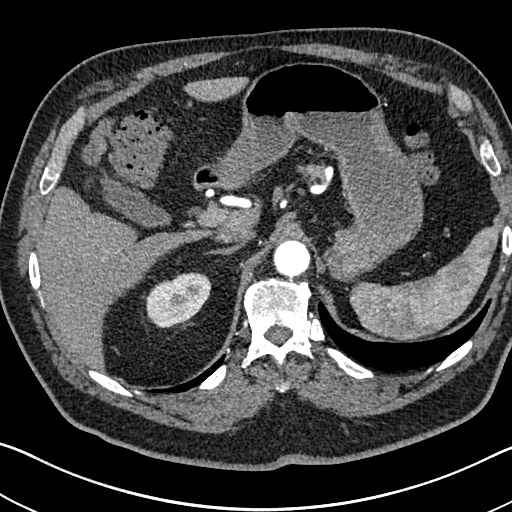
Axial slice 544 of 705 of a contrast-enhanced abdominal CT in the arterial phase (slice 1 is the lowest), 120 kVp, kernel I30f; 1.00 mm slice thickness and 0.703 mm pixels.
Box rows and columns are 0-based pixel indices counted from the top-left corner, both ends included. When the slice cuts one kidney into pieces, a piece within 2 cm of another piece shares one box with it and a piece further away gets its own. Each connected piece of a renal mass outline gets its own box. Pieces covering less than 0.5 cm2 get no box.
Right kidney, box rows 272–328, columns 145–211 (outlined area 2,654 px, about 13.1 cm2). No renal mass outline on this slice.